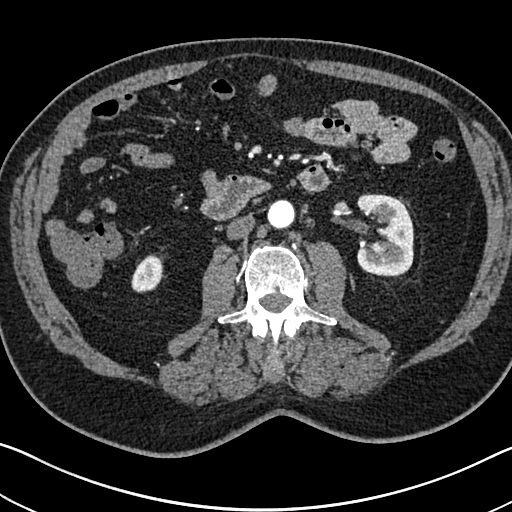
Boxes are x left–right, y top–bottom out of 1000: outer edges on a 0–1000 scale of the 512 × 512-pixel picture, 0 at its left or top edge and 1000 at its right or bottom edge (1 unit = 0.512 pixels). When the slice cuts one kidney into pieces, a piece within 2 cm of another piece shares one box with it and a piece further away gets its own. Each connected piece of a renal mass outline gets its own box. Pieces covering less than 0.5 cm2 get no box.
This is axial slice 358 of 705 (slice 1 is the lowest) of an arterial-phase abdominal CT with contrast; each pixel is 0.703 mm and the slice is 1.00 mm thick. Two boxes on this slice (two kidney boxes), listed by box centre from the image's left to its right. (1) Right kidney, box x 256–316, y 496–572 out of 1000 (outlined area 870 px, about 4.3 cm2). (2) Left kidney at x 695–809, y 377–541 out of 1000 (outlined area 3,915 px, about 19.4 cm2). No renal mass outline on this slice.
Tube voltage 120 kVp; convolution kernel I30f.